Axial slice 151 of 274 of a contrast-enhanced abdominal CT in the arterial phase (slice 1 is the lowest), 120 kVp, kernel B30f; 2.00 mm slice thickness and 0.809 mm pixels.
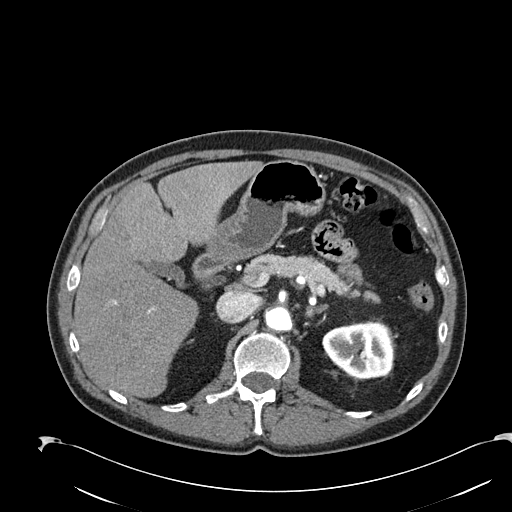
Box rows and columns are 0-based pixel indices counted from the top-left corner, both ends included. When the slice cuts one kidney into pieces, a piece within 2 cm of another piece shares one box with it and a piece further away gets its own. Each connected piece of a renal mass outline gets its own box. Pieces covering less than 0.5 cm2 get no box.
Left kidney at rows 321–378, columns 322–394 (outlined area 3,337 px, about 21.8 cm2). No renal mass is outlined on this slice.